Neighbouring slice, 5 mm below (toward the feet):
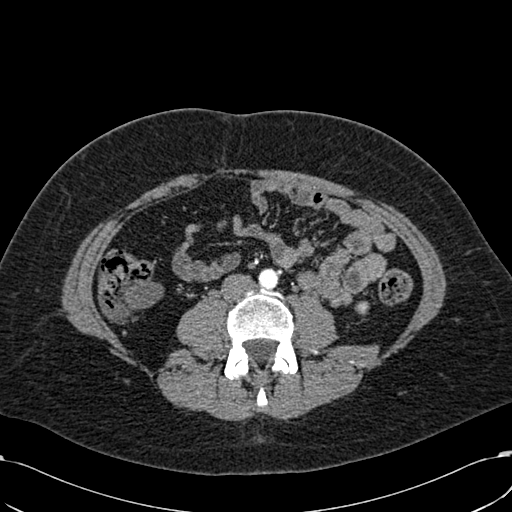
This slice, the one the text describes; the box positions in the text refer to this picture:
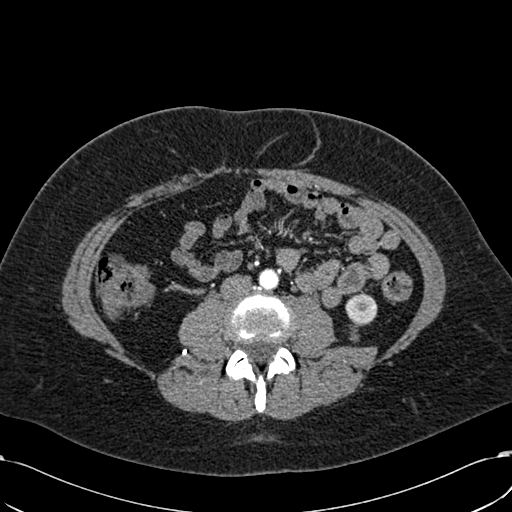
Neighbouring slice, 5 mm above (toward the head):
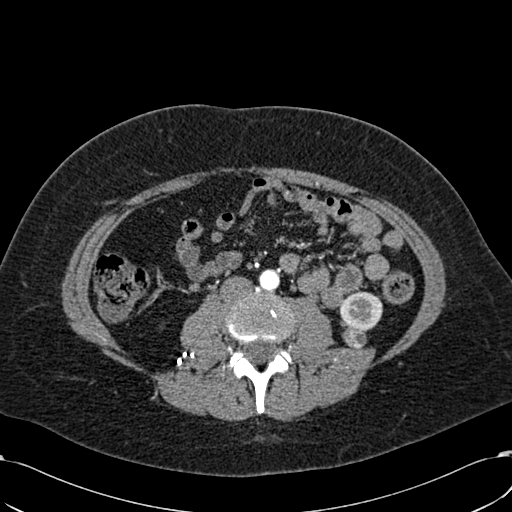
Arterial-phase contrast-enhanced abdominal CT, axial slice 253 of 532 (counted from the lowest slice); tube voltage 120 kVp, convolution kernel B30f; slices 1.00 mm thick, 0.713 mm per pixel.
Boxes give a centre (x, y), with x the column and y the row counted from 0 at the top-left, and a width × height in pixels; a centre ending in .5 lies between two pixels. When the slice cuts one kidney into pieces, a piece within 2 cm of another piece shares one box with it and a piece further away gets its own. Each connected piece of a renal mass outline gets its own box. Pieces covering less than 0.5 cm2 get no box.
Boxed on this slice (one kidney box and one renal mass box), listed by box centre from the image's left to its right: (1) Box centre (355, 328.5), 11 × 16 pixels: left renal mass (outlined area 100 px, about 0.5 cm2). (2) Left kidney in a box with centre (361, 309), 33 × 33 pixels (outlined area 811 px, about 4.1 cm2). This slice lies near the end of the left renal mass toward the feet; the slices 5 mm below and 5 mm above it are shown too, and the boxes mark positions on this slice only.